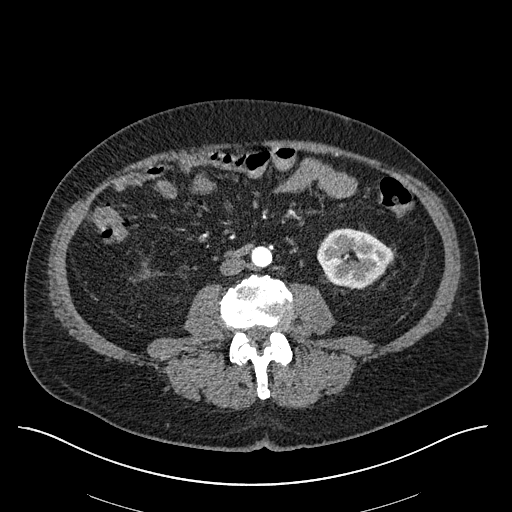
One axial slice (242 of 670, counting up from the lowest) of an arterial-phase abdominal CT acquired with 120 kVp, kernel I30f; each pixel is 0.861 mm and the slice is 1.00 mm thick.
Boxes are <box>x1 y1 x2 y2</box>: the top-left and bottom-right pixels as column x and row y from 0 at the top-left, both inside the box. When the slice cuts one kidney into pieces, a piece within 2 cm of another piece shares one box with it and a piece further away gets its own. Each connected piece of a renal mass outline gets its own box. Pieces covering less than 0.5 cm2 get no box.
Left kidney at <box>317 228 392 288</box> (outlined area 3,435 px, about 25.5 cm2). This slice carries no renal mass outline.